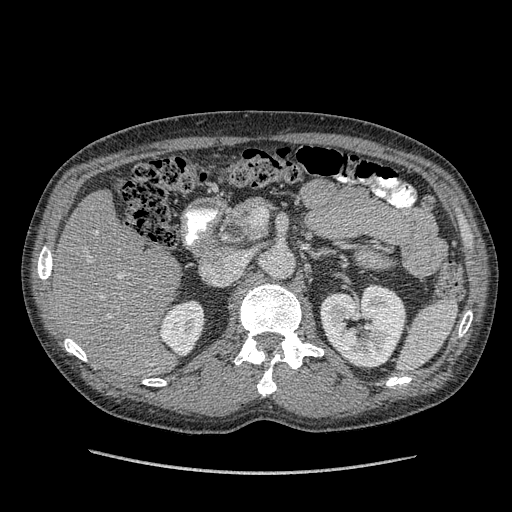
Abdominal CT with intravenous contrast, arterial phase, axial plane, 120 kVp, kernel STANDARD. Slice 234/349 from the bottom of the scan; thickness 1.25 mm; pixel size 0.742 mm.
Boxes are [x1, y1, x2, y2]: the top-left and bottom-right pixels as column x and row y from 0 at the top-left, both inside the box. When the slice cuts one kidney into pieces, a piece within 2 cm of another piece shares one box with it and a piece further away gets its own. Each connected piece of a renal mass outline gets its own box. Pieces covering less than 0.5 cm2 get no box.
Two kidney boxes on this slice; by box centre, from the image's left to its right: (1) Box [159, 300, 205, 355]: right kidney (outlined area 1,926 px, about 10.6 cm2). (2) Left kidney at [320, 284, 406, 369] (outlined area 5,515 px, about 30.4 cm2). No renal mass is outlined on this slice.